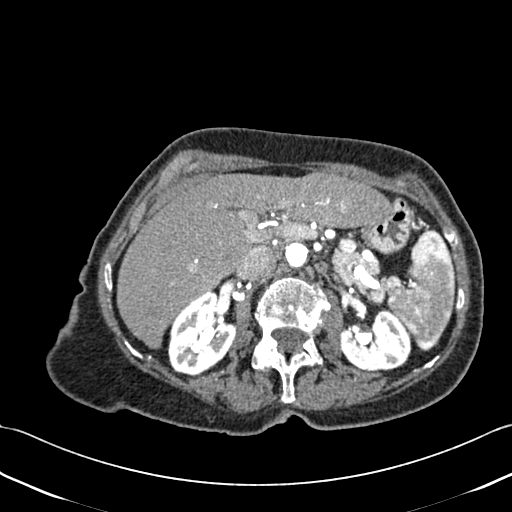
Contrast-enhanced abdominal CT, axial slice 280 of 433 (counted from the lowest slice); tube voltage 120 kVp, convolution kernel B30f; slices 1.00 mm thick, 0.672 mm per pixel.
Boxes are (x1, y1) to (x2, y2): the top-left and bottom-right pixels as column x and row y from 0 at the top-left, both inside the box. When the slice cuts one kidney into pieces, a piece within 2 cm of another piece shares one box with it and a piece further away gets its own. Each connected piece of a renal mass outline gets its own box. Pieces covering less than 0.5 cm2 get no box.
Two boxes on this slice (two kidney boxes), listed by box centre from the image's left to its right. (1) Right kidney, box (167, 292) to (236, 375) (outlined area 4,079 px, about 18.4 cm2). (2) Left kidney, box (339, 308) to (411, 371) (outlined area 3,363 px, about 15.2 cm2). No renal mass outline on this slice.